One axial slice (40 of 76, counting up from the lowest) of a contrast-enhanced abdominal CT acquired with 100 kVp, kernel I40f; each pixel is 0.768 mm and the slice is 3.00 mm thick.
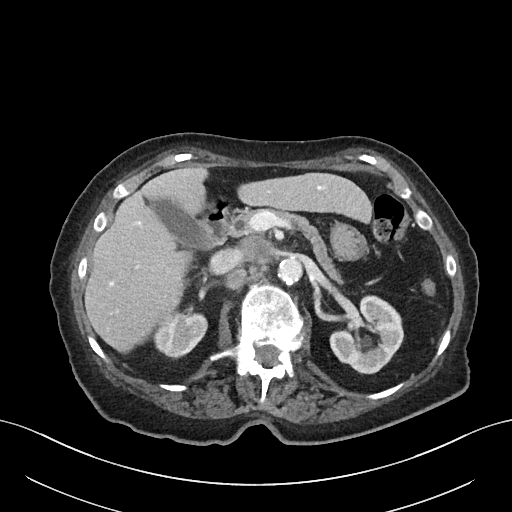
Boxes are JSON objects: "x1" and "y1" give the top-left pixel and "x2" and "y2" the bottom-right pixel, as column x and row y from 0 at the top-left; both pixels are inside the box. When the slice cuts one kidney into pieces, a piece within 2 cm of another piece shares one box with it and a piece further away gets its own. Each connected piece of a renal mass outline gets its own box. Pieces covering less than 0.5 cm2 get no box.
Two boxes on this slice (two kidney boxes), listed by box centre from the image's left to its right. (1) Right kidney, box {"x1": 153, "y1": 312, "x2": 207, "y2": 358} (outlined area 1,853 px, about 10.9 cm2). (2) Box {"x1": 329, "y1": 295, "x2": 404, "y2": 374}: left kidney (outlined area 3,958 px, about 23.3 cm2). No renal mass is outlined on this slice.